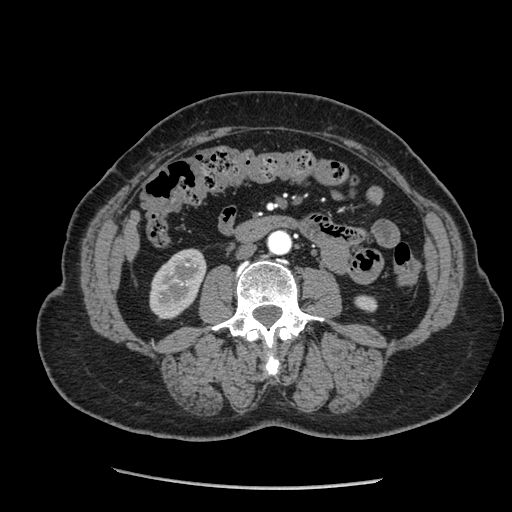
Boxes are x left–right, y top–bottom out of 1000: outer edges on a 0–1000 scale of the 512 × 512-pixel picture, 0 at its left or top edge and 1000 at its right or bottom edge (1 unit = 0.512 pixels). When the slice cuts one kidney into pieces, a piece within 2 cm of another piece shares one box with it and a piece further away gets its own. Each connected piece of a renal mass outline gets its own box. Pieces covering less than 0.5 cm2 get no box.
Slice 94/233 of a contrast-enhanced abdominal CT in the arterial phase, counting up from the lowest; pixel size 0.703 mm, slice thickness 1.25 mm. Two kidney boxes on this slice; by box centre, from the image's left to its right: (1) Box x 291–404, y 484–627 out of 1000: right kidney (outlined area 2,899 px, about 14.3 cm2). (2) Left kidney at x 691–738, y 576–611 out of 1000 (outlined area 328 px, about 1.6 cm2). This slice carries no renal mass outline.
Tube voltage 120 kVp; convolution kernel STANDARD.